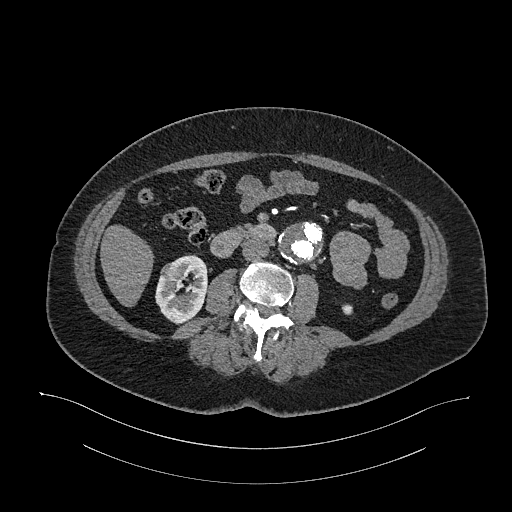
One axial slice (576 of 987, counting up from the lowest) of an arterial-phase abdominal CT acquired with 120 kVp, kernel I26f; each pixel is 0.977 mm and the slice is 1.00 mm thick.
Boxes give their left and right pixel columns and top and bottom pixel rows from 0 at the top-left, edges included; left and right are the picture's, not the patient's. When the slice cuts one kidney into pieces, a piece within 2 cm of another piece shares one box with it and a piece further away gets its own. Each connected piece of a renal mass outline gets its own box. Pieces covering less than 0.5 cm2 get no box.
Two kidney boxes and one renal mass box on this slice; by box centre, from the image's left to its right: (1) Right renal mass, the box with left 159, top 261, right 184, bottom 282 (outlined area 410 px, about 3.9 cm2). (2) Right kidney, the box with left 155, top 254, right 207, bottom 323 (outlined area 2,314 px, about 22.1 cm2). (3) Box with left 342, top 304, right 352, bottom 314: left kidney (outlined area 103 px, about 1.0 cm2).